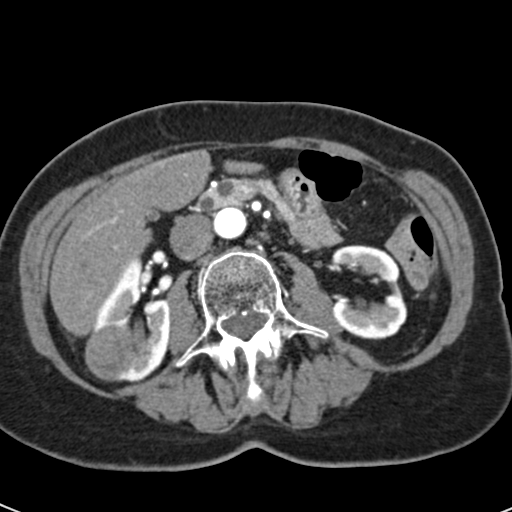
Abdominal CT with intravenous contrast, arterial phase, axial plane, 120 kVp, kernel B30f. Slice 26/53 from the bottom of the scan; thickness 3.00 mm; pixel size 0.547 mm.
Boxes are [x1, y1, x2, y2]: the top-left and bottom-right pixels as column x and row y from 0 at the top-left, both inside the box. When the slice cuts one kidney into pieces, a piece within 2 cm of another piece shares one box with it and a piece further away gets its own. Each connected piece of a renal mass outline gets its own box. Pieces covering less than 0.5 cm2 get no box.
Boxed on this slice (two kidney boxes and one renal mass box), listed by box centre from the image's left to its right: (1) Right renal mass, box [84, 319, 153, 381] (outlined area 2,992 px, about 8.9 cm2). (2) Right kidney at [92, 257, 169, 382] (outlined area 4,145 px, about 12.4 cm2). (3) Box [330, 245, 407, 339]: left kidney (outlined area 4,733 px, about 14.2 cm2).